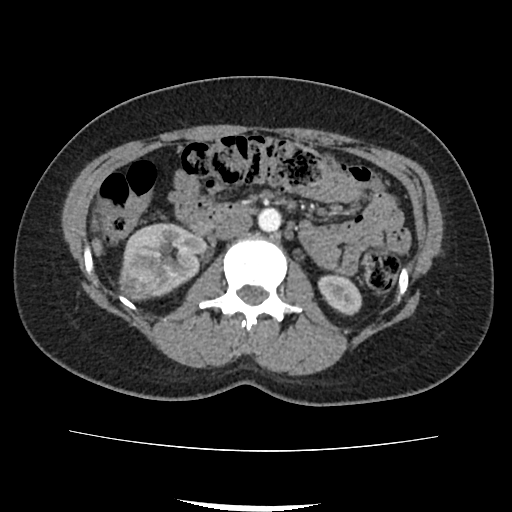
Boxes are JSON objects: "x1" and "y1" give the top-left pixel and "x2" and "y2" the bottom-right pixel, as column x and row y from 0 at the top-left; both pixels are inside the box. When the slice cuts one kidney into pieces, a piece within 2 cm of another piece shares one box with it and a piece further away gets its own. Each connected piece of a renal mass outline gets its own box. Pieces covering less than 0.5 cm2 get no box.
Contrast-enhanced abdominal CT, axial slice 43 of 103 (counted from the lowest slice); 3.00 mm thick, 0.714 mm per pixel. Three boxes on this slice (two kidney boxes and one renal mass box), listed by box centre from the image's left to its right. (1) Right renal mass at {"x1": 119, "y1": 266, "x2": 158, "y2": 300} (outlined area 1,141 px, about 5.8 cm2). (2) Box {"x1": 121, "y1": 222, "x2": 208, "y2": 296}: right kidney (outlined area 3,973 px, about 20.3 cm2). (3) Left kidney, box {"x1": 317, "y1": 274, "x2": 362, "y2": 315} (outlined area 1,328 px, about 6.8 cm2).
Tube voltage 120 kVp; convolution kernel FC18.